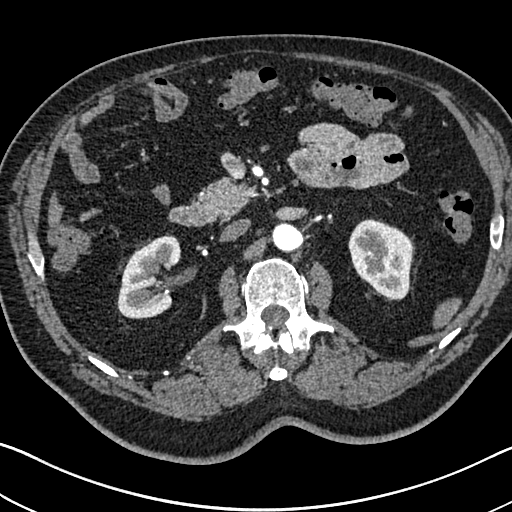
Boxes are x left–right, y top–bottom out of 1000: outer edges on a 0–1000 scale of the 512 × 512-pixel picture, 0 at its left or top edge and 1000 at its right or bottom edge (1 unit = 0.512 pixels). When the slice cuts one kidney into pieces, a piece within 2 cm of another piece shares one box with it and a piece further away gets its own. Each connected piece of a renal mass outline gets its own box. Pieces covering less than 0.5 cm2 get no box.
This is axial slice 436 of 705 (slice 1 is the lowest) of an arterial-phase abdominal CT with contrast; each pixel is 0.703 mm and the slice is 1.00 mm thick. Boxed on this slice (two kidney boxes), listed by box centre from the image's left to its right: (1) Box x 229–355, y 457–623 out of 1000: right kidney (outlined area 3,845 px, about 19.0 cm2). (2) Box x 680–809, y 428–586 out of 1000: left kidney (outlined area 3,939 px, about 19.5 cm2). This slice carries no renal mass outline.
Acquired at 120 kVp and reconstructed with the I30f kernel.